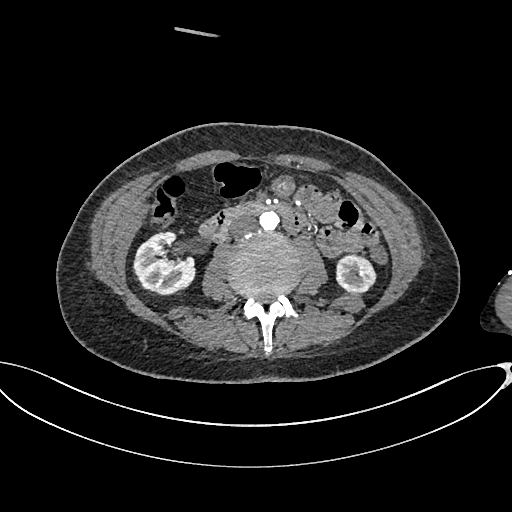
Arterial-phase contrast-enhanced abdominal CT, axial slice 333 of 665 (counted from the lowest slice); tube voltage 100 kVp, convolution kernel I26f; slices 1.00 mm thick, 0.828 mm per pixel.
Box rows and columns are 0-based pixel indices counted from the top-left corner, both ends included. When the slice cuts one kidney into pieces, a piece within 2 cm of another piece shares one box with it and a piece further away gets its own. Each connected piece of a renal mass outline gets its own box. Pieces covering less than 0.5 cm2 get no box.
Two boxes on this slice (two kidney boxes), listed by box centre from the image's left to its right. (1) Right kidney at rows 231–295, columns 132–195 (outlined area 3,028 px, about 20.8 cm2). (2) Left kidney, box rows 254–293, columns 335–376 (outlined area 1,273 px, about 8.7 cm2). This slice carries no renal mass outline.